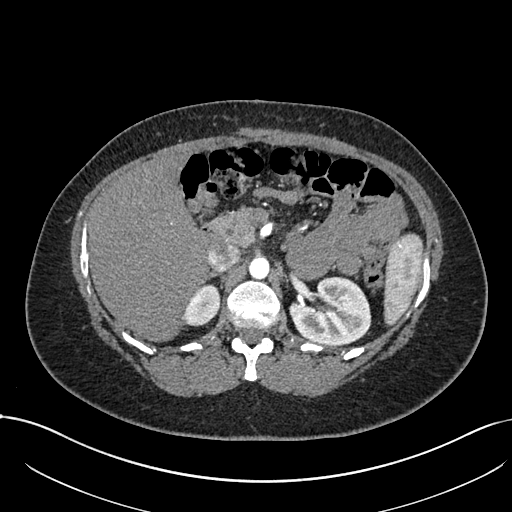
Axial slice 485 of 738 of a contrast-enhanced abdominal CT in the arterial phase (slice 1 is the lowest), 120 kVp, kernel I30f; 1.00 mm slice thickness and 0.789 mm pixels.
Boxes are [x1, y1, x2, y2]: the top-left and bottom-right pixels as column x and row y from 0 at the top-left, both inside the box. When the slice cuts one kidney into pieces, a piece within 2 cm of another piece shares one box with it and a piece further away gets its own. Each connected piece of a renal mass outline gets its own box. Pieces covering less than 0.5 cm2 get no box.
Two kidney boxes on this slice; by box centre, from the image's left to its right: (1) Box [182, 284, 220, 326]: right kidney (outlined area 1,185 px, about 7.4 cm2). (2) Box [289, 276, 371, 345]: left kidney (outlined area 4,321 px, about 26.9 cm2). No renal mass is outlined on this slice.